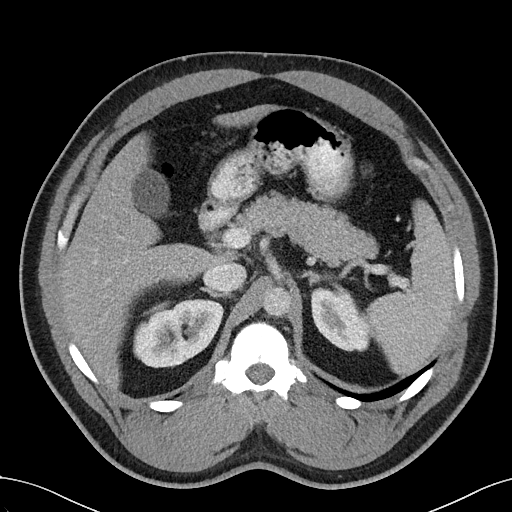
Arterial-phase contrast-enhanced abdominal CT, axial slice 75 of 102 (counted from the lowest slice); tube voltage 100 kVp, convolution kernel I40f; slices 5.00 mm thick, 0.781 mm per pixel.
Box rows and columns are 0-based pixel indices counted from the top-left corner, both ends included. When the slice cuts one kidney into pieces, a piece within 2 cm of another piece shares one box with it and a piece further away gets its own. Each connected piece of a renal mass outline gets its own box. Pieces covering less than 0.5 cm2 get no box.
Two kidney boxes on this slice; by box centre, from the image's left to its right: (1) Right kidney, box rows 297–368, columns 133–223 (outlined area 4,522 px, about 27.6 cm2). (2) Box rows 287–351, columns 311–370: left kidney (outlined area 2,542 px, about 15.5 cm2). No renal mass outline on this slice.